Axial slice 420 of 626 of a contrast-enhanced abdominal CT in the arterial phase (slice 1 is the lowest), 120 kVp, kernel I30f; 1.00 mm slice thickness and 0.703 mm pixels.
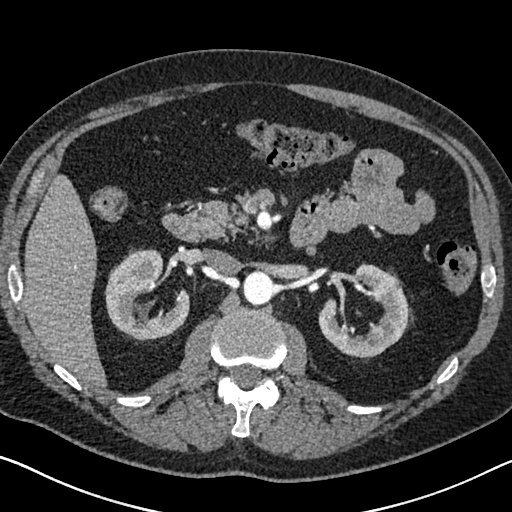
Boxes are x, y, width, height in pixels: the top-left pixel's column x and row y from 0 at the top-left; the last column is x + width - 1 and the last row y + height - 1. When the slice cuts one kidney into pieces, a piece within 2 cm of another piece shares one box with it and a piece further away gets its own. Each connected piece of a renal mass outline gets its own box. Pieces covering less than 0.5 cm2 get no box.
Boxed on this slice (two kidney boxes), listed by box centre from the image's left to its right: (1) Right kidney at x 104, y 248, width 86, height 93 (outlined area 4,998 px, about 24.7 cm2). (2) Left kidney at x 318, y 263, width 91, height 95 (outlined area 4,915 px, about 24.3 cm2). This slice carries no renal mass outline.